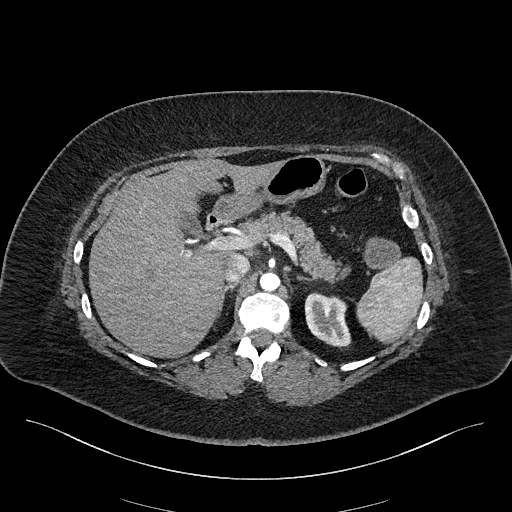
One axial slice (152 of 270, counting up from the lowest) of an arterial-phase abdominal CT acquired with 100 kVp, kernel I40f; each pixel is 0.855 mm and the slice is 2.00 mm thick.
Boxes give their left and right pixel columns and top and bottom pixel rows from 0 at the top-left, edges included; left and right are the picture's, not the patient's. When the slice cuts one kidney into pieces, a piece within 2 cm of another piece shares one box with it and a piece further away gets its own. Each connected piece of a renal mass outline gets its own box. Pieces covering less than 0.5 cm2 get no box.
Left kidney in the box with left 304, top 292, right 351, bottom 347 (outlined area 1,936 px, about 14.2 cm2). No renal mass is outlined on this slice.